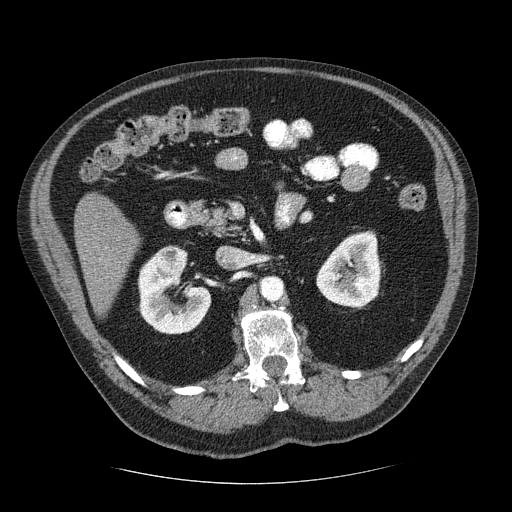
Axial slice 139 of 206 of a contrast-enhanced abdominal CT (slice 1 is the lowest), 120 kVp, kernel STANDARD; 2.50 mm slice thickness and 0.879 mm pixels.
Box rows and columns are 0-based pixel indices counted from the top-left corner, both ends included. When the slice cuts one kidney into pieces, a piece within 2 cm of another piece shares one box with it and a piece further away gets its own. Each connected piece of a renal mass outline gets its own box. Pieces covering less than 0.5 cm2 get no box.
Three boxes on this slice (two kidney boxes and one renal mass box), listed by box centre from the image's left to its right. (1) Right renal mass, box rows 245–277, columns 153–187 (outlined area 954 px, about 7.4 cm2). (2) Right kidney at rows 255–334, columns 137–211 (outlined area 3,603 px, about 27.8 cm2). (3) Left kidney at rows 230–309, columns 316–382 (outlined area 3,829 px, about 29.6 cm2).